One axial slice (93 of 285, counting up from the lowest) of an arterial-phase abdominal CT acquired with 120 kVp, kernel B31f; each pixel is 0.762 mm and the slice is 2.00 mm thick.
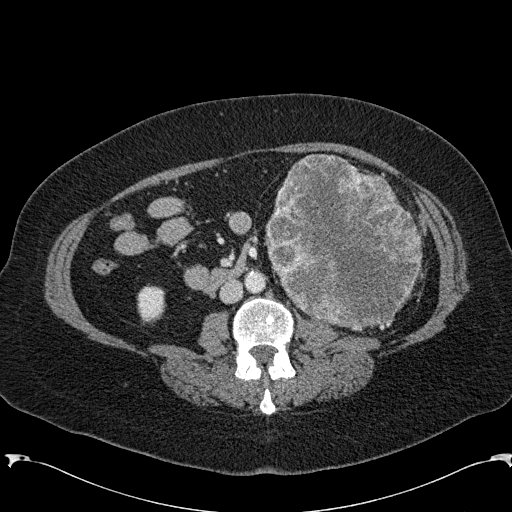
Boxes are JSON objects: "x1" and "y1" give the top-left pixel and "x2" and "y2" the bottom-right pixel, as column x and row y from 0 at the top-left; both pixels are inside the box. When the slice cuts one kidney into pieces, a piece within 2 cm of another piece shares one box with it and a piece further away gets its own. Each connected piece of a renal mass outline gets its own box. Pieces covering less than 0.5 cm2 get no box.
Boxed on this slice (one kidney box and one renal mass box), listed by box centre from the image's left to its right: (1) Right kidney, box {"x1": 137, "y1": 284, "x2": 165, "y2": 324} (outlined area 909 px, about 5.3 cm2). (2) Left renal mass, box {"x1": 264, "y1": 154, "x2": 422, "y2": 331} (outlined area 20,794 px, about 120.7 cm2); here it is more than 1 cm from any kidney outline, though on another slice the same outlined renal mass lies within 1 cm of the kidney.